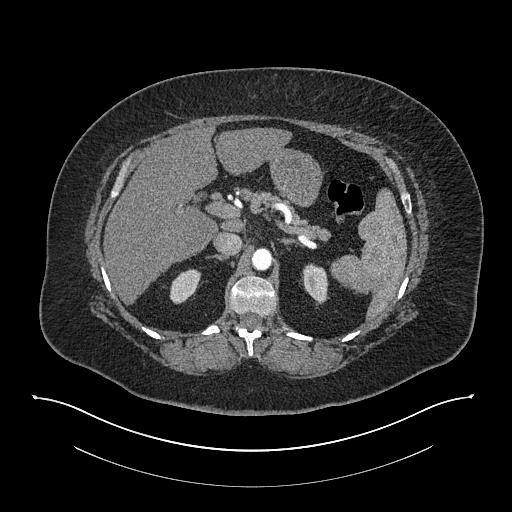
Arterial-phase contrast-enhanced abdominal CT, axial slice 564 of 673 (counted from the lowest slice); tube voltage 140 kVp, convolution kernel I30f; slices 1.00 mm thick, 0.957 mm per pixel.
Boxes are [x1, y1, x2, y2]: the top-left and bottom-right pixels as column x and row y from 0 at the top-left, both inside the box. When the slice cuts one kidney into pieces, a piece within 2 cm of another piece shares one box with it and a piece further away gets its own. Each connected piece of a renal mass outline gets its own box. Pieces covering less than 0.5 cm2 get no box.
Boxed on this slice (two kidney boxes), listed by box centre from the image's left to its right: (1) Box [169, 269, 200, 304]: right kidney (outlined area 782 px, about 7.2 cm2). (2) Box [301, 263, 329, 305]: left kidney (outlined area 833 px, about 7.6 cm2). This slice carries no renal mass outline.